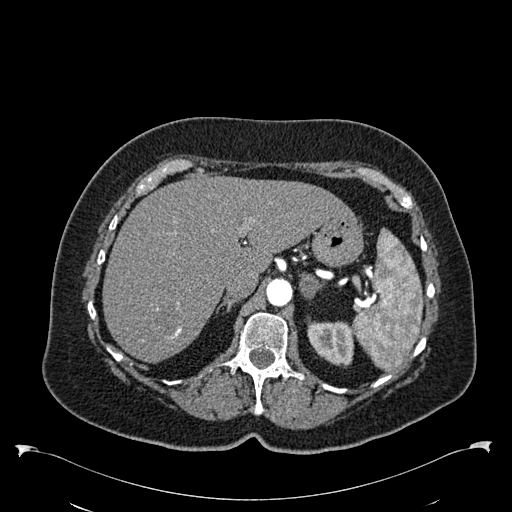
Arterial-phase contrast-enhanced abdominal CT, axial slice 427 of 538 (counted from the lowest slice); tube voltage 120 kVp, convolution kernel B30f; slices 1.00 mm thick, 0.811 mm per pixel.
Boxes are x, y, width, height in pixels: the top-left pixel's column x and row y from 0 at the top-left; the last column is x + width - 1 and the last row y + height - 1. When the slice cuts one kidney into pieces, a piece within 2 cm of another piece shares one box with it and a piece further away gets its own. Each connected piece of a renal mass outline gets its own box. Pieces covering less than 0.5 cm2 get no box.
Left kidney, box x 307, y 321, width 47, height 47 (outlined area 1,690 px, about 11.1 cm2). No renal mass is outlined on this slice.